Axial slice 107 of 302 of a contrast-enhanced abdominal CT in the arterial phase (slice 1 is the lowest), 100 kVp, kernel I30f; 5.00 mm slice thickness and 0.875 mm pixels.
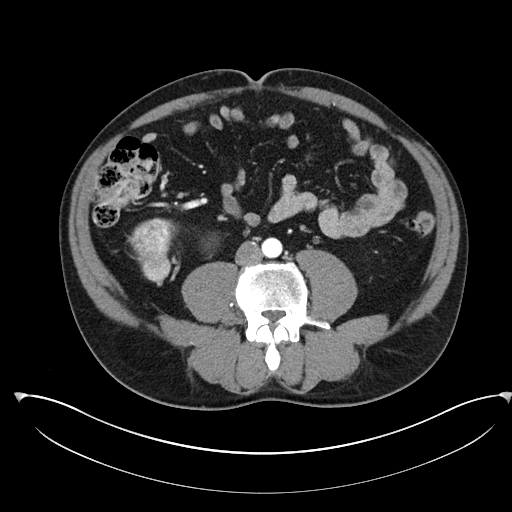
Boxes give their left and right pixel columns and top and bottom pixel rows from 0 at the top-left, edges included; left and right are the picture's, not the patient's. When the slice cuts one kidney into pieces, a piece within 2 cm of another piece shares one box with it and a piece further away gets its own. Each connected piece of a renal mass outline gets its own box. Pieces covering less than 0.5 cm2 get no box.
Box with left 129, top 217, right 176, bottom 285: right renal mass (outlined area 2,159 px, about 16.5 cm2); it sits over 1 cm from every kidney outline on this slice, but the same outlined renal mass comes within 1 cm of the kidney on another slice.